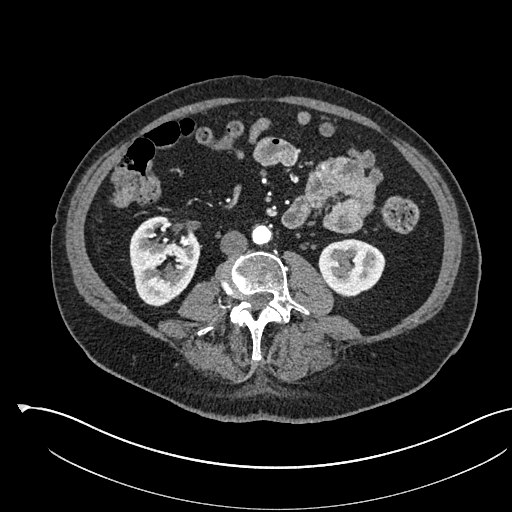
Arterial-phase contrast-enhanced abdominal CT, axial slice 253 of 541 (counted from the lowest slice); tube voltage 120 kVp, convolution kernel I30f; slices 1.00 mm thick, 0.834 mm per pixel.
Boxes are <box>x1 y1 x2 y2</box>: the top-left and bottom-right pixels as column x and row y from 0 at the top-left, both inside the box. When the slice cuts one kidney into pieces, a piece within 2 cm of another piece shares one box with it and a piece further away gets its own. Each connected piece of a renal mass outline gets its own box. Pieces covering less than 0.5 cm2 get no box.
Two kidney boxes on this slice; by box centre, from the image's left to its right: (1) Right kidney at <box>129 216 200 306</box> (outlined area 4,648 px, about 32.3 cm2). (2) Left kidney at <box>318 238 385 297</box> (outlined area 2,977 px, about 20.7 cm2). No renal mass is outlined on this slice.